Contrast-enhanced abdominal CT, axial slice 35 of 76 (counted from the lowest slice); tube voltage 100 kVp, convolution kernel I40f; slices 3.00 mm thick, 0.768 mm per pixel.
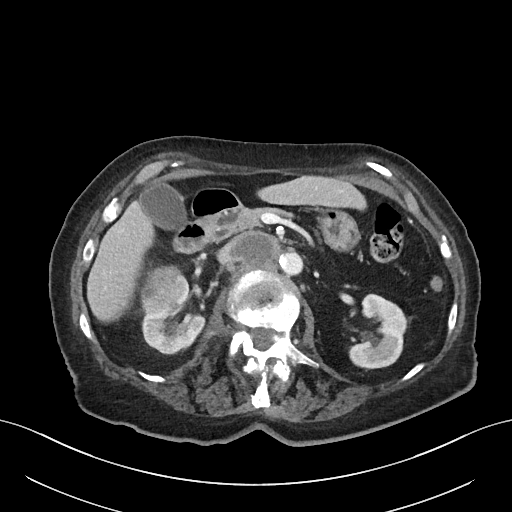
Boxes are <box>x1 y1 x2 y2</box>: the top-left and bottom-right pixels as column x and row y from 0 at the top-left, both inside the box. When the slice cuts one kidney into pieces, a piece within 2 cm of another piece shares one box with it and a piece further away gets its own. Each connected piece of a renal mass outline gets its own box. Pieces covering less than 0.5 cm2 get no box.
Boxed on this slice (two kidney boxes and one renal mass box), listed by box centre from the image's left to its right: (1) Right renal mass: <box>141 264 185 315</box> (outlined area 1,899 px, about 11.2 cm2). (2) Right kidney at <box>141 273 206 354</box> (outlined area 2,476 px, about 14.6 cm2). (3) Left kidney at <box>348 293 407 369</box> (outlined area 3,086 px, about 18.2 cm2).